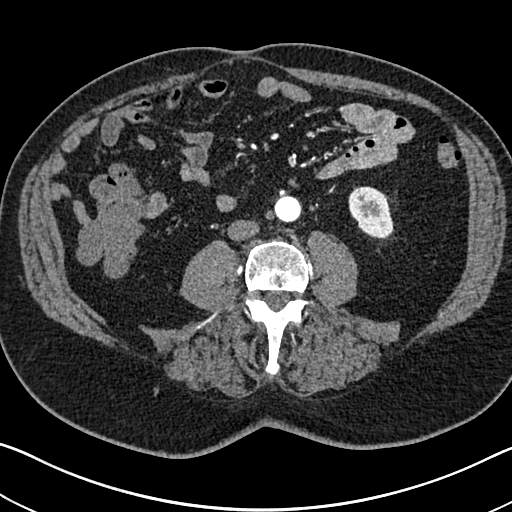
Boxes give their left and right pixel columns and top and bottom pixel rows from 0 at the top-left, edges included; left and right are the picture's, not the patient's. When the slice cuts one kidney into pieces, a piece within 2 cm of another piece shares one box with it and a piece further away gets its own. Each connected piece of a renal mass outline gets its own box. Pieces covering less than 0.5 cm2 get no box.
Arterial-phase contrast-enhanced abdominal CT, axial slice 286 of 705 (counted from the lowest slice); 1.00 mm thick, 0.703 mm per pixel. Left kidney in the box with left 348, top 186, right 393, bottom 239 (outlined area 1,825 px, about 9.0 cm2). This slice carries no renal mass outline.
Scan settings: 120 kVp, I30f reconstruction kernel.